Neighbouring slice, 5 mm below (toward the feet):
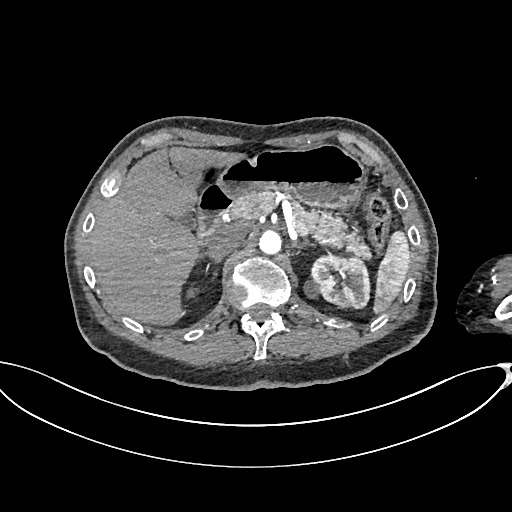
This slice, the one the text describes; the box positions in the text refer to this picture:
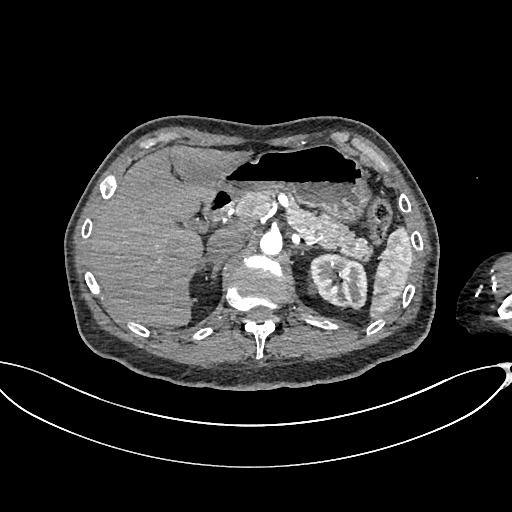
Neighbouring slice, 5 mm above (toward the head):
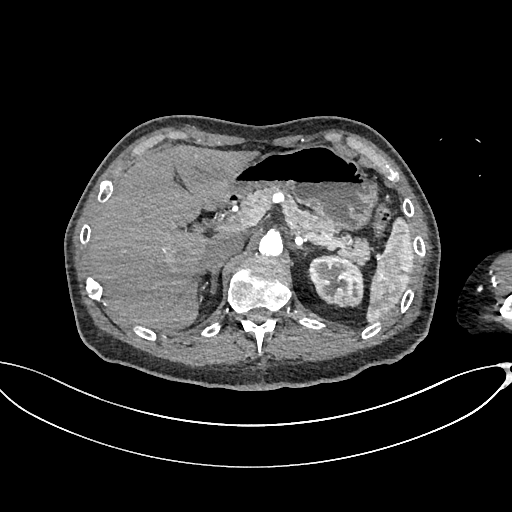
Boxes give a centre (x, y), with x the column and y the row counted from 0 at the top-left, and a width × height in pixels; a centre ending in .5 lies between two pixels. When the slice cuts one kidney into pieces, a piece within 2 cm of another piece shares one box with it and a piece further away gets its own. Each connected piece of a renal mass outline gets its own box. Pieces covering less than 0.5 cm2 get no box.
This is axial slice 474 of 665 (slice 1 is the lowest) of an arterial-phase abdominal CT with contrast; each pixel is 0.828 mm and the slice is 1.00 mm thick. One kidney box and one renal mass box on this slice; by box centre, from the image's left to its right: (1) Box centre (312, 288.5), 11 × 12 pixels: left renal mass (outlined area 100 px, about 0.7 cm2). (2) Box centre (338.5, 281), 56 × 57 pixels: left kidney (outlined area 2,425 px, about 16.6 cm2). This slice lies near the end of the left renal mass toward the head; the slices 5 mm below and 5 mm above it are shown too, and the boxes mark positions on this slice only.
Tube voltage 100 kVp; convolution kernel I26f.